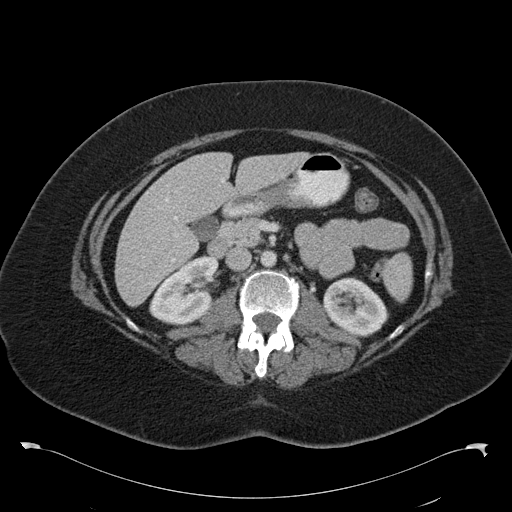
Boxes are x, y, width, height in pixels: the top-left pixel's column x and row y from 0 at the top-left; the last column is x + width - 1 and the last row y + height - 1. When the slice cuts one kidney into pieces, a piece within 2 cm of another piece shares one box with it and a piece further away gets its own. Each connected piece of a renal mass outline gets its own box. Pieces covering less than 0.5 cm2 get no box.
Slice 61/97 of a contrast-enhanced abdominal CT in the arterial phase, counting up from the lowest; pixel size 0.824 mm, slice thickness 5.00 mm. Two boxes on this slice (two kidney boxes), listed by box centre from the image's left to its right. (1) Right kidney at x 149, y 257, width 70, height 67 (outlined area 3,247 px, about 22.1 cm2). (2) Left kidney at x 323, y 277, width 66, height 60 (outlined area 2,771 px, about 18.8 cm2). No renal mass is outlined on this slice.
Tube voltage 120 kVp; convolution kernel B30f.